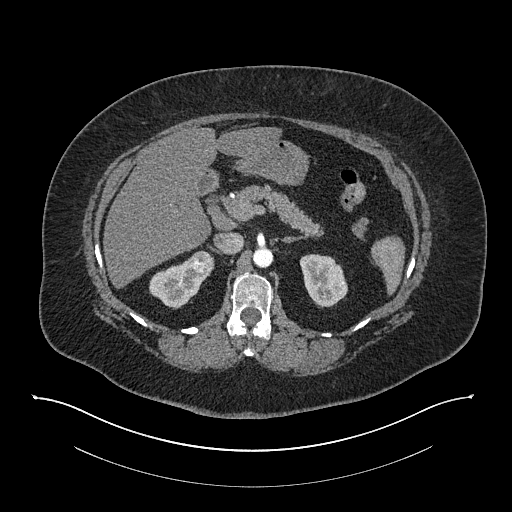
Axial slice 537 of 673 of a contrast-enhanced abdominal CT in the arterial phase (slice 1 is the lowest), 140 kVp, kernel I30f; 1.00 mm slice thickness and 0.957 mm pixels.
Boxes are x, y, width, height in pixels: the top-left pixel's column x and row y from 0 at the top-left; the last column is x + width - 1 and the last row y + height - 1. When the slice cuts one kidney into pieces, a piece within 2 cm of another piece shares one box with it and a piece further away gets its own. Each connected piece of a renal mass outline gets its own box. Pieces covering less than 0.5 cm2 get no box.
Boxed on this slice (two kidney boxes and one renal mass box), listed by box centre from the image's left to its right: (1) Right kidney at x 149, y 257, width 66, height 53 (outlined area 1,835 px, about 16.8 cm2). (2) Box x 190, y 250, width 25, height 22: right renal mass (outlined area 411 px, about 3.8 cm2). (3) Box x 299, y 254, width 49, height 54: left kidney (outlined area 1,924 px, about 17.6 cm2).